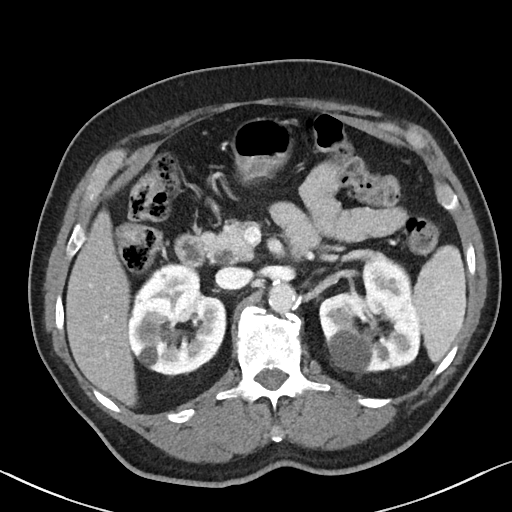
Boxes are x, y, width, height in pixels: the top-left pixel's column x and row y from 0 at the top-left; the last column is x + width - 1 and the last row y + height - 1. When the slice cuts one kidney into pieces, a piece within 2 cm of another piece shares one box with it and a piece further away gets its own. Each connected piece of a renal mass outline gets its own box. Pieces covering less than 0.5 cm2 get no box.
Contrast-enhanced abdominal CT, axial slice 63 of 90 (counted from the lowest slice); 5.00 mm thick, 0.684 mm per pixel. Two kidney boxes on this slice; by box centre, from the image's left to its right: (1) Right kidney, box x 128, y 264, width 99, height 114 (outlined area 8,241 px, about 38.5 cm2). (2) Box x 319, y 251, width 102, height 123: left kidney (outlined area 8,462 px, about 39.5 cm2). No renal mass is outlined on this slice.
Scan settings: 100 kVp, I40f reconstruction kernel.